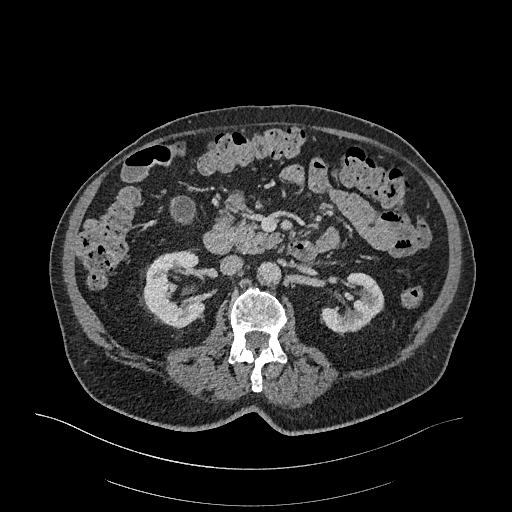
One axial slice (163 of 470, counting up from the lowest) of an arterial-phase abdominal CT acquired with 120 kVp, kernel I26f; each pixel is 0.938 mm and the slice is 1.00 mm thick.
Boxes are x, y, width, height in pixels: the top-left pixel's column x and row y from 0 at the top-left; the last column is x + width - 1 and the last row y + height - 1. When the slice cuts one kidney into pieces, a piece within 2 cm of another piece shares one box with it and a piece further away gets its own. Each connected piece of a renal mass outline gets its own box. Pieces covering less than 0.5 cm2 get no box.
Two boxes on this slice (two kidney boxes), listed by box centre from the image's left to its right. (1) Right kidney, box x 141, y 250, width 64, height 78 (outlined area 3,407 px, about 29.9 cm2). (2) Left kidney at x 321, y 272, width 64, height 64 (outlined area 2,415 px, about 21.2 cm2). No renal mass is outlined on this slice.